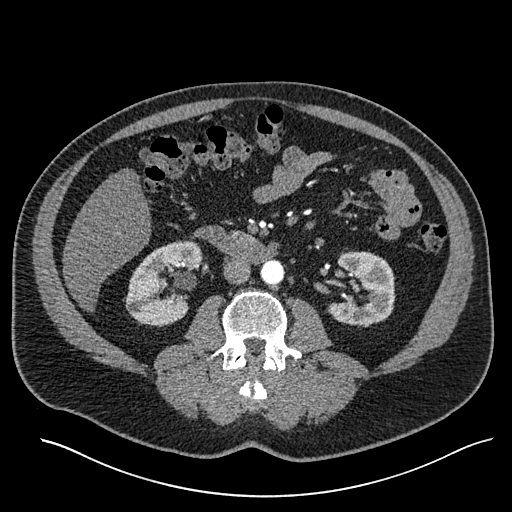
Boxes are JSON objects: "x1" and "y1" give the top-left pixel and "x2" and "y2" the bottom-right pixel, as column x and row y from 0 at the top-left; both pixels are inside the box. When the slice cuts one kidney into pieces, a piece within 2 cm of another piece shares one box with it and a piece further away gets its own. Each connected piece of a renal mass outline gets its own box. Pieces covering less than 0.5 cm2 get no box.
This is axial slice 284 of 527 (slice 1 is the lowest) of an arterial-phase abdominal CT with contrast; each pixel is 0.859 mm and the slice is 1.00 mm thick. Two kidney boxes on this slice; by box centre, from the image's left to its right: (1) Right kidney at {"x1": 125, "y1": 240, "x2": 202, "y2": 324} (outlined area 4,483 px, about 33.1 cm2). (2) Left kidney at {"x1": 328, "y1": 251, "x2": 395, "y2": 327} (outlined area 3,755 px, about 27.7 cm2). No renal mass is outlined on this slice.
Tube voltage 120 kVp; convolution kernel I30f.